Axial slice 431 of 532 of a contrast-enhanced abdominal CT in the arterial phase (slice 1 is the lowest), 120 kVp, kernel B30f; 1.00 mm slice thickness and 0.713 mm pixels.
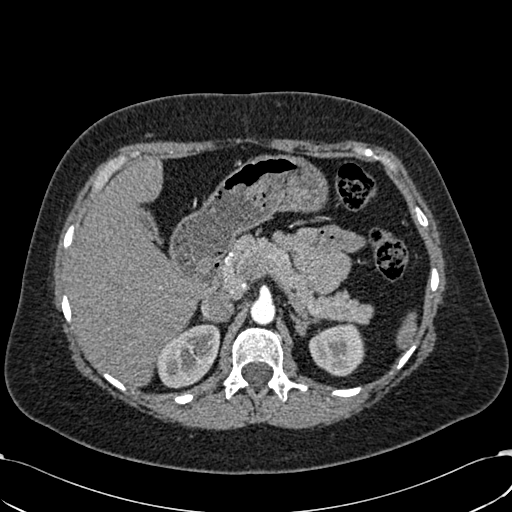
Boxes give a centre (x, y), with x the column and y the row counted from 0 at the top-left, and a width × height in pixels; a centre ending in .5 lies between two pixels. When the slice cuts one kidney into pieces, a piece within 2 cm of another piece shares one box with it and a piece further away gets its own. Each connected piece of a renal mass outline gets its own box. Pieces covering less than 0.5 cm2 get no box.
Two boxes on this slice (two kidney boxes), listed by box centre from the image's left to its right. (1) Right kidney in a box with centre (187.5, 356), 66 × 65 pixels (outlined area 3,009 px, about 15.3 cm2). (2) Left kidney, box centre (336, 349.5), 57 × 54 pixels (outlined area 2,268 px, about 11.5 cm2). No renal mass outline on this slice.